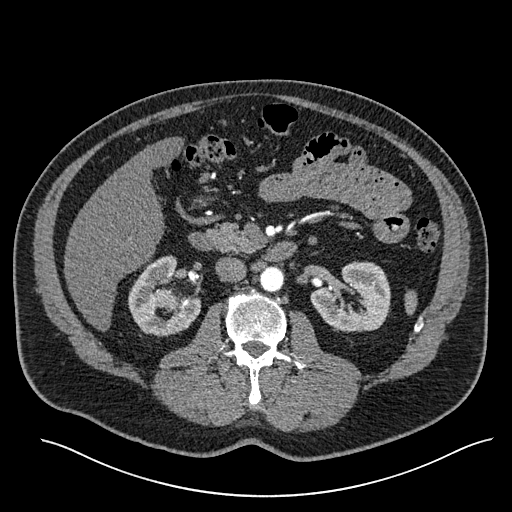
Axial slice 327 of 527 of a contrast-enhanced abdominal CT in the arterial phase (slice 1 is the lowest), 120 kVp, kernel I30f; 1.00 mm slice thickness and 0.859 mm pixels.
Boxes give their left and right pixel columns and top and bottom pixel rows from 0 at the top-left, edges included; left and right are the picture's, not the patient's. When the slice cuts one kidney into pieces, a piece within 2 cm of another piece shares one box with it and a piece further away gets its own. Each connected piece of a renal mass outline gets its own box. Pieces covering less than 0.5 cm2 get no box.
Boxed on this slice (two kidney boxes and one renal mass box), listed by box centre from the image's left to its right: (1) Box with left 128, top 255, right 201, bottom 337: right kidney (outlined area 3,502 px, about 25.9 cm2). (2) Right renal mass in the box with left 154, top 288, right 176, bottom 311 (outlined area 421 px, about 3.1 cm2). (3) Left kidney, the box with left 310, top 261, right 390, bottom 332 (outlined area 4,152 px, about 30.7 cm2).